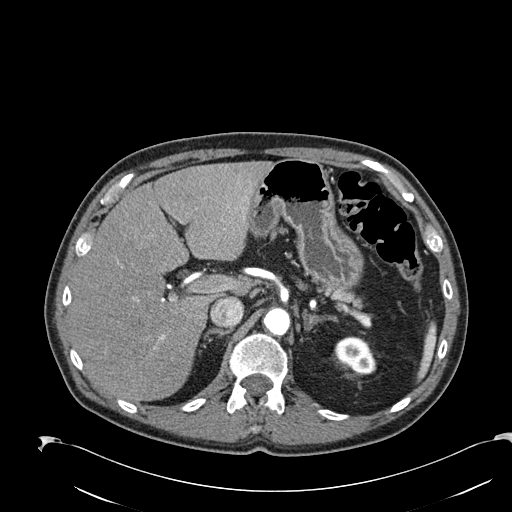
Axial slice 168 of 274 of a contrast-enhanced abdominal CT in the arterial phase (slice 1 is the lowest), 120 kVp, kernel B30f; 2.00 mm slice thickness and 0.809 mm pixels.
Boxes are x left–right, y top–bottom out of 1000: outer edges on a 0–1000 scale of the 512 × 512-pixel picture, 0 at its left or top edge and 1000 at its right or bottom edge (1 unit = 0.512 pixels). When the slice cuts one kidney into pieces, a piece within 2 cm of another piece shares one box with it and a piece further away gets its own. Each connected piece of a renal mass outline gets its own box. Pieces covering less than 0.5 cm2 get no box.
Left kidney at x 652–736, y 656–732 out of 1000 (outlined area 1,138 px, about 7.4 cm2). No renal mass outline on this slice.